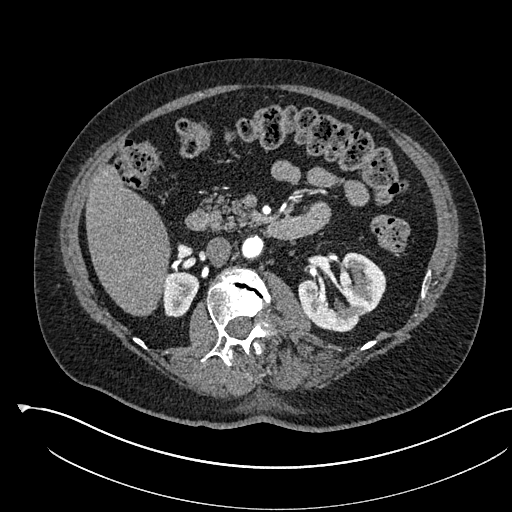
Arterial-phase contrast-enhanced abdominal CT, axial slice 326 of 541 (counted from the lowest slice); tube voltage 120 kVp, convolution kernel I30f; slices 1.00 mm thick, 0.834 mm per pixel.
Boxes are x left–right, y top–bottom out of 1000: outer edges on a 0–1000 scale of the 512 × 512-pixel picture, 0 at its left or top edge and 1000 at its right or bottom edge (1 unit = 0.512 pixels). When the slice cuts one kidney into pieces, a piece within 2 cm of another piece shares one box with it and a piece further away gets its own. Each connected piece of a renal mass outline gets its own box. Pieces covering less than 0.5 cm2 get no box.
Two kidney boxes on this slice; by box centre, from the image's left to its right: (1) Box x 318–391, y 529–621 out of 1000: right kidney (outlined area 1,347 px, about 9.4 cm2). (2) Box x 582–756, y 490–650 out of 1000: left kidney (outlined area 4,603 px, about 32.0 cm2). This slice carries no renal mass outline.